One axial slice (534 of 787, counting up from the lowest) of a contrast-enhanced abdominal CT acquired with 140 kVp, kernel I30f; each pixel is 0.910 mm and the slice is 1.00 mm thick.
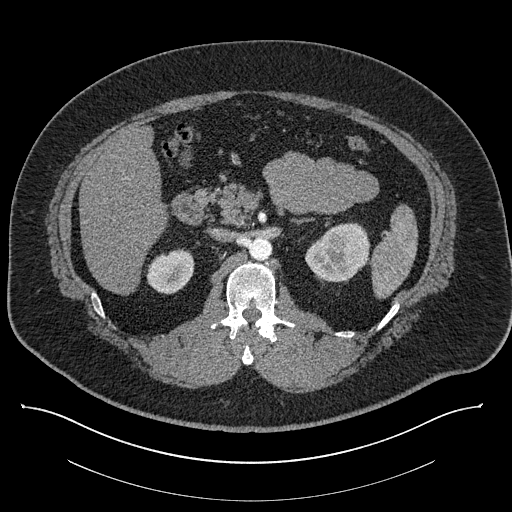
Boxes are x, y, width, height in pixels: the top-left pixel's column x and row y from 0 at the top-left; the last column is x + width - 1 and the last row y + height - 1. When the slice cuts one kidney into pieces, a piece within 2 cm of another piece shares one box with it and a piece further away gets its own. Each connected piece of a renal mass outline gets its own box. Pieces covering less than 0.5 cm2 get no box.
Two kidney boxes on this slice; by box centre, from the image's left to its right: (1) Right kidney, box x 146, y 248, width 49, height 47 (outlined area 1,673 px, about 13.9 cm2). (2) Left kidney, box x 305, y 222, width 65, height 61 (outlined area 2,902 px, about 24.0 cm2). No renal mass outline on this slice.